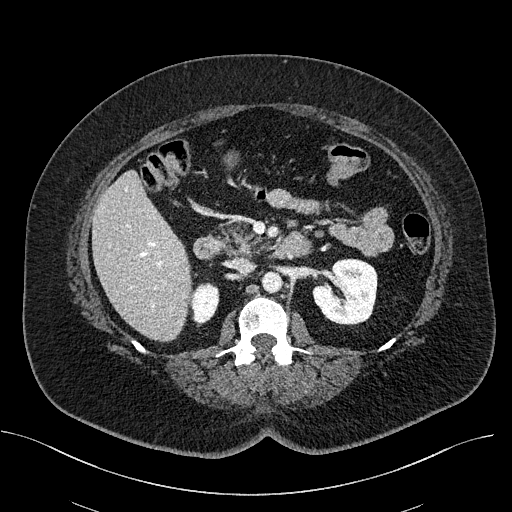
Axial slice 306 of 470 of a contrast-enhanced abdominal CT (slice 1 is the lowest), 100 kVp, kernel I40f; 2.00 mm slice thickness and 0.824 mm pixels.
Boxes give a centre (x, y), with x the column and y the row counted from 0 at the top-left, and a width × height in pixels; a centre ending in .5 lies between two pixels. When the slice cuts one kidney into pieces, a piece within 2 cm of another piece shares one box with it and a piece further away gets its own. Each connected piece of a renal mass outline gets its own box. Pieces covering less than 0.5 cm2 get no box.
Two kidney boxes on this slice; by box centre, from the image's left to its right: (1) Right kidney, box centre (204.5, 302), 30 × 41 pixels (outlined area 958 px, about 6.5 cm2). (2) Box centre (344.5, 291), 66 × 67 pixels: left kidney (outlined area 3,382 px, about 23.0 cm2). This slice carries no renal mass outline.